One axial slice (115 of 269, counting up from the lowest) of a contrast-enhanced abdominal CT acquired with 100 kVp, kernel I30f; each pixel is 0.732 mm and the slice is 5.00 mm thick.
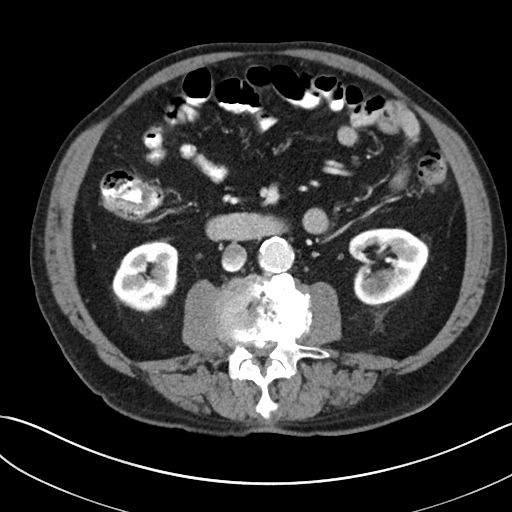
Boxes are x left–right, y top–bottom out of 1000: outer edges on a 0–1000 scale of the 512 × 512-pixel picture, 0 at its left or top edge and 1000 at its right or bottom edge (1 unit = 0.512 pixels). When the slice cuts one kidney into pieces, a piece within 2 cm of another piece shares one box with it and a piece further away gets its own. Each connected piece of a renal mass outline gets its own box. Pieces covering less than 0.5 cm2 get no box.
Two boxes on this slice (two kidney boxes), listed by box centre from the image's left to its right. (1) Box x 217–350, y 467–613 out of 1000: right kidney (outlined area 3,730 px, about 20.0 cm2). (2) Left kidney at x 680–840, y 445–602 out of 1000 (outlined area 4,562 px, about 24.5 cm2). No renal mass outline on this slice.